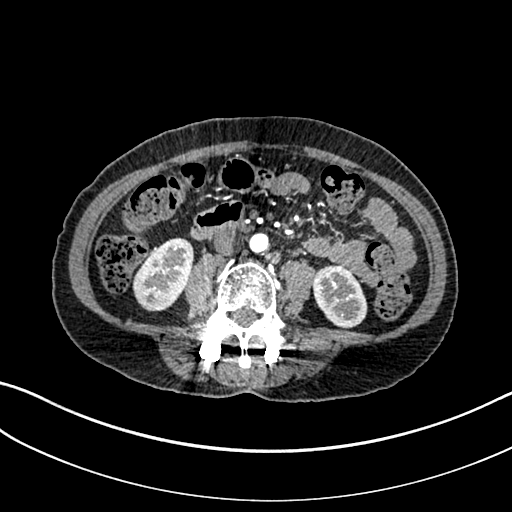
Arterial-phase contrast-enhanced abdominal CT, axial slice 87 of 325 (counted from the lowest slice); tube voltage 100 kVp, convolution kernel I30f; slices 1.00 mm thick, 0.703 mm per pixel.
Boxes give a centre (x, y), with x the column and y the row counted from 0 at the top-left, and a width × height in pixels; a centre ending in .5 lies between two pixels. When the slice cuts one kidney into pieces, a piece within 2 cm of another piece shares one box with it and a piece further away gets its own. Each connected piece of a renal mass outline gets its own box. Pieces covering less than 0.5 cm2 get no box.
Two kidney boxes on this slice; by box centre, from the image's left to its right: (1) Right kidney in a box with centre (163, 274), 63 × 75 pixels (outlined area 3,195 px, about 15.8 cm2). (2) Left kidney, box centre (339.5, 296), 56 × 65 pixels (outlined area 2,625 px, about 13.0 cm2). This slice carries no renal mass outline.